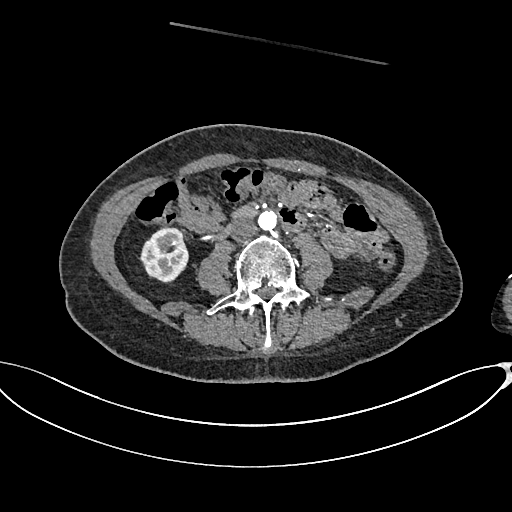
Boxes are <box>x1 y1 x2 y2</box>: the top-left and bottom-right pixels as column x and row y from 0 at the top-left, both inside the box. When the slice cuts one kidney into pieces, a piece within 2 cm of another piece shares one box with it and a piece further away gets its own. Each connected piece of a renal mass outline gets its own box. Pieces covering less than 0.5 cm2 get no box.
Arterial-phase contrast-enhanced abdominal CT, axial slice 301 of 665 (counted from the lowest slice); 1.00 mm thick, 0.828 mm per pixel. At <box>139 227 188 283</box>: right kidney (outlined area 2,062 px, about 14.1 cm2). No renal mass is outlined on this slice.
Acquired at 100 kVp and reconstructed with the I26f kernel.